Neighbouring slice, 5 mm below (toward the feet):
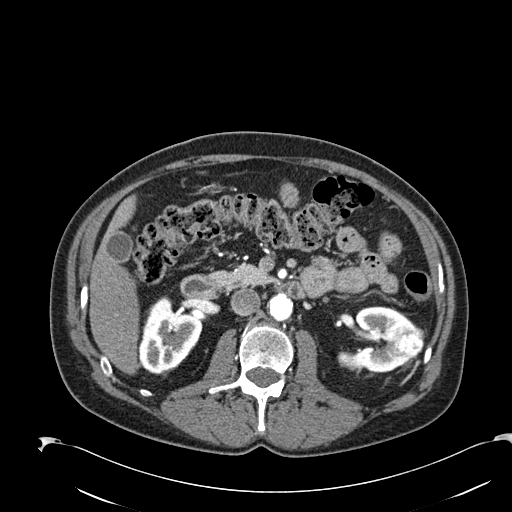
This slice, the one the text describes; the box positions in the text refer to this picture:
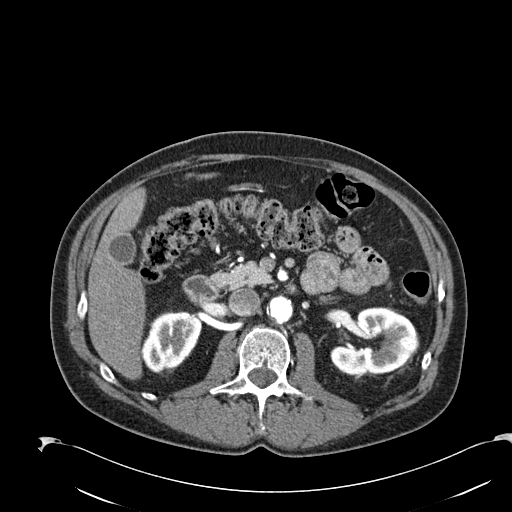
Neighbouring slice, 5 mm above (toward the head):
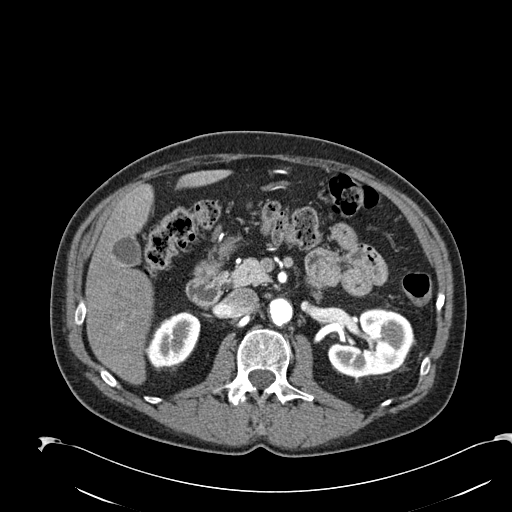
Arterial-phase contrast-enhanced abdominal CT, axial slice 122 of 274 (counted from the lowest slice); tube voltage 120 kVp, convolution kernel B30f; slices 2.00 mm thick, 0.809 mm per pixel.
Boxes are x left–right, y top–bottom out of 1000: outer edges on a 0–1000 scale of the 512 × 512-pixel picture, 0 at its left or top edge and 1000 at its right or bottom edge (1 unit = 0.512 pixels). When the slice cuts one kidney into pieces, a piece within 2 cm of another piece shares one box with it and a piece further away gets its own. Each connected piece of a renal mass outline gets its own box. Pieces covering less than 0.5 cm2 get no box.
Two kidney boxes and one renal mass box on this slice; by box centre, from the image's left to its right: (1) Box x 277–396, y 605–732 out of 1000: right kidney (outlined area 2,725 px, about 17.8 cm2). (2) Left kidney at x 646–816, y 600–734 out of 1000 (outlined area 4,045 px, about 26.4 cm2). (3) Left renal mass at x 779–816, y 656–689 out of 1000 (outlined area 231 px, about 1.5 cm2). This slice lies near the end of the left renal mass toward the head; the slices 5 mm below and 5 mm above it are shown too, and the boxes mark positions on this slice only.